Abdominal CT with intravenous contrast, arterial phase, axial plane, 100 kVp, kernel B41f. Slice 28/77 from the bottom of the scan; thickness 3.00 mm; pixel size 0.809 mm.
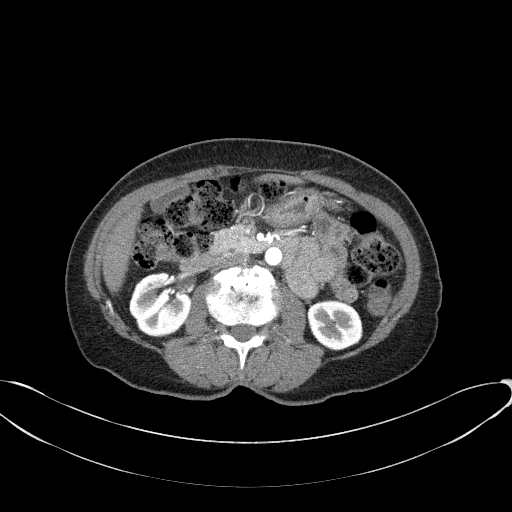
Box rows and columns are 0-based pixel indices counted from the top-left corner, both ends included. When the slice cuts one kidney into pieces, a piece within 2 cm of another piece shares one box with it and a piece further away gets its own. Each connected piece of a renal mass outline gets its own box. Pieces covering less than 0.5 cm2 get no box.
Two boxes on this slice (two kidney boxes), listed by box centre from the image's left to its right. (1) Box rows 272–337, columns 129–190: right kidney (outlined area 3,085 px, about 20.2 cm2). (2) Box rows 299–350, columns 307–362: left kidney (outlined area 2,260 px, about 14.8 cm2). This slice carries no renal mass outline.